One axial slice (346 of 581, counting up from the lowest) of an arterial-phase abdominal CT acquired with 120 kVp, kernel B30f; each pixel is 0.713 mm and the slice is 1.00 mm thick.
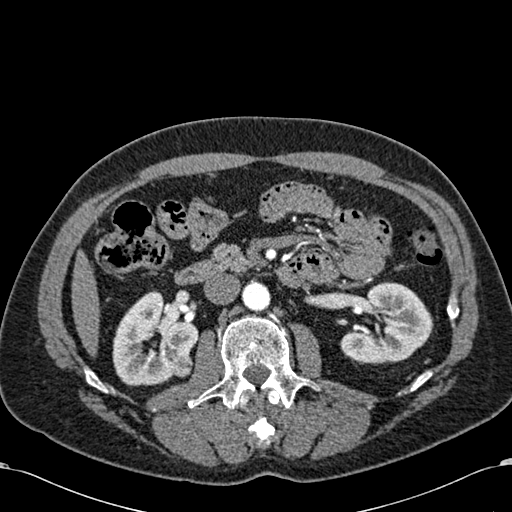
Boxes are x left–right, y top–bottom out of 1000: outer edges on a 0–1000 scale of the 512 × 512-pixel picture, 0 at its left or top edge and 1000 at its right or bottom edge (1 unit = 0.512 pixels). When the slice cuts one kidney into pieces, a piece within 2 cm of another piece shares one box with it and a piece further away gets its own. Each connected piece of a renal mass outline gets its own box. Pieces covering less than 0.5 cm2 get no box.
Three boxes on this slice (two kidney boxes and one renal mass box), listed by box centre from the image's left to its right. (1) Box x 219–389, y 566–754 out of 1000: right kidney (outlined area 5,392 px, about 27.4 cm2). (2) Right renal mass at x 330–379, y 688–738 out of 1000 (outlined area 498 px, about 2.5 cm2). (3) Left kidney at x 664–848, y 551–713 out of 1000 (outlined area 5,201 px, about 26.4 cm2).